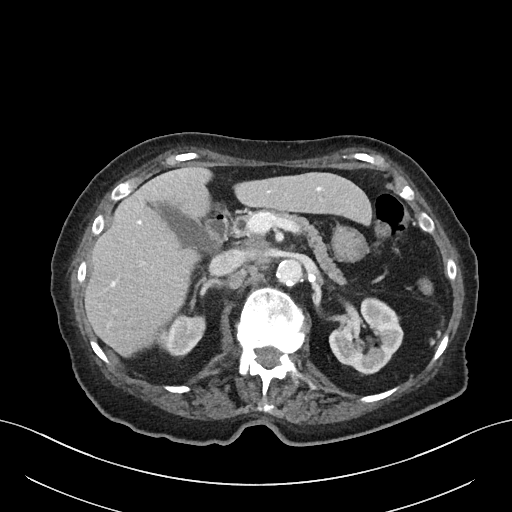
Abdominal CT with intravenous contrast, axial plane, 100 kVp, kernel I40f. Slice 41/76 from the bottom of the scan; thickness 3.00 mm; pixel size 0.768 mm.
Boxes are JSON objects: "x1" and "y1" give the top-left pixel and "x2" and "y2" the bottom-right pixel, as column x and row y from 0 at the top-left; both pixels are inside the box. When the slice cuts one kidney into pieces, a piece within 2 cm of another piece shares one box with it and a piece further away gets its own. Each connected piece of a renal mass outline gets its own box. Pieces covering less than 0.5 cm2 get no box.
Boxed on this slice (two kidney boxes), listed by box centre from the image's left to its right: (1) Box {"x1": 157, "y1": 313, "x2": 205, "y2": 356}: right kidney (outlined area 1,439 px, about 8.5 cm2). (2) Left kidney at {"x1": 329, "y1": 296, "x2": 403, "y2": 374} (outlined area 3,885 px, about 22.9 cm2). This slice carries no renal mass outline.